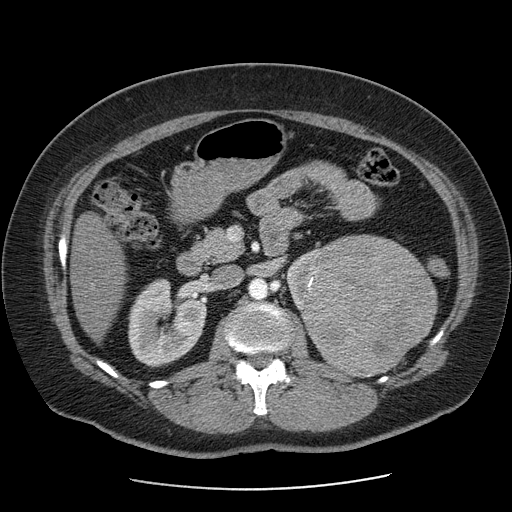
Axial slice 48 of 103 of a contrast-enhanced abdominal CT (slice 1 is the lowest), 120 kVp, kernel STANDARD; 2.50 mm slice thickness and 0.736 mm pixels.
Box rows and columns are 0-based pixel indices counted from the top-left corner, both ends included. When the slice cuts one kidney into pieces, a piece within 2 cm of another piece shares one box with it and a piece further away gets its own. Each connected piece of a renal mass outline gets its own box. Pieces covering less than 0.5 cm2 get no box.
Two kidney boxes and one renal mass box on this slice; by box centre, from the image's left to its right: (1) Box rows 278–367, columns 128–206: right kidney (outlined area 5,051 px, about 27.4 cm2). (2) Box rows 247–312, columns 287–319: left kidney (outlined area 978 px, about 5.3 cm2). (3) Box rows 234–378, columns 301–437: left renal mass (outlined area 14,883 px, about 80.7 cm2).